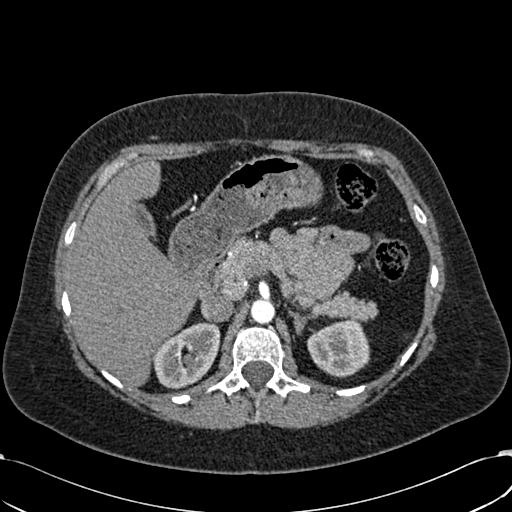
Arterial-phase contrast-enhanced abdominal CT, axial slice 426 of 532 (counted from the lowest slice); tube voltage 120 kVp, convolution kernel B30f; slices 1.00 mm thick, 0.713 mm per pixel.
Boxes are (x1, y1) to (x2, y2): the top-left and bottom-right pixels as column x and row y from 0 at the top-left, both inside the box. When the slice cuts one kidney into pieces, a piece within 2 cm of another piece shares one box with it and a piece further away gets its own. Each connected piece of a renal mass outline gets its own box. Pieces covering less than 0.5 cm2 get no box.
Two boxes on this slice (two kidney boxes), listed by box centre from the image's left to its right. (1) Right kidney from (152, 322) to (220, 389) (outlined area 3,227 px, about 16.4 cm2). (2) Box (307, 319) to (369, 377): left kidney (outlined area 2,754 px, about 14.0 cm2). No renal mass outline on this slice.